Axial slice 339 of 673 of a contrast-enhanced abdominal CT in the arterial phase (slice 1 is the lowest), 140 kVp, kernel I30f; 1.00 mm slice thickness and 0.957 mm pixels.
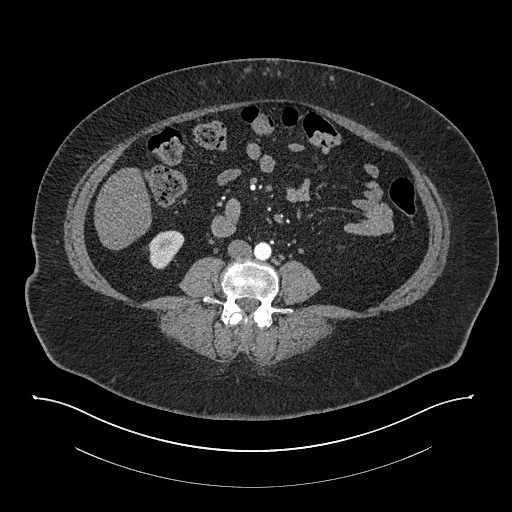
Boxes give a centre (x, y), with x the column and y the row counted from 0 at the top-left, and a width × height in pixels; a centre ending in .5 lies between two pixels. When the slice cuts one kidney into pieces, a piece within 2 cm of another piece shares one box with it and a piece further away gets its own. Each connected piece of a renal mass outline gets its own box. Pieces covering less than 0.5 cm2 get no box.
Right kidney in a box with centre (165.5, 249.5), 38 × 40 pixels (outlined area 1,011 px, about 9.3 cm2). This slice carries no renal mass outline.